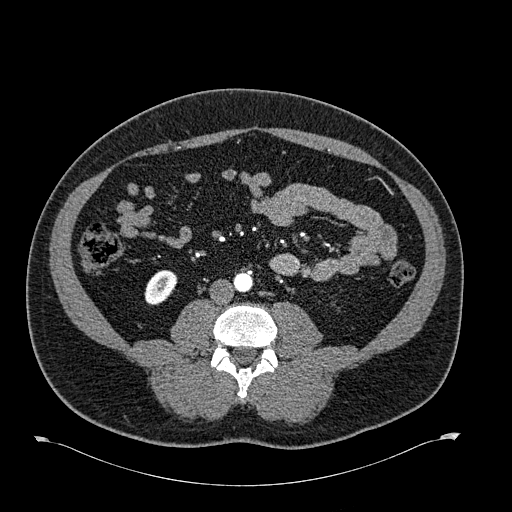
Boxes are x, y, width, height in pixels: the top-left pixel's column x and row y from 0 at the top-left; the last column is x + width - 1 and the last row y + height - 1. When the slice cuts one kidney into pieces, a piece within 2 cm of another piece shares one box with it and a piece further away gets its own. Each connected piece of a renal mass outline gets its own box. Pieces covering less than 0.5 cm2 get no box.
This is axial slice 260 of 723 (slice 1 is the lowest) of an arterial-phase abdominal CT with contrast; each pixel is 0.895 mm and the slice is 1.00 mm thick. Right kidney, box x 144, y 270, width 34, height 36 (outlined area 847 px, about 6.8 cm2). No renal mass outline on this slice.
Acquired at 120 kVp and reconstructed with the B30f kernel.